Arterial-phase contrast-enhanced abdominal CT, axial slice 131 of 470 (counted from the lowest slice); tube voltage 120 kVp, convolution kernel I26f; slices 1.00 mm thick, 0.938 mm per pixel.
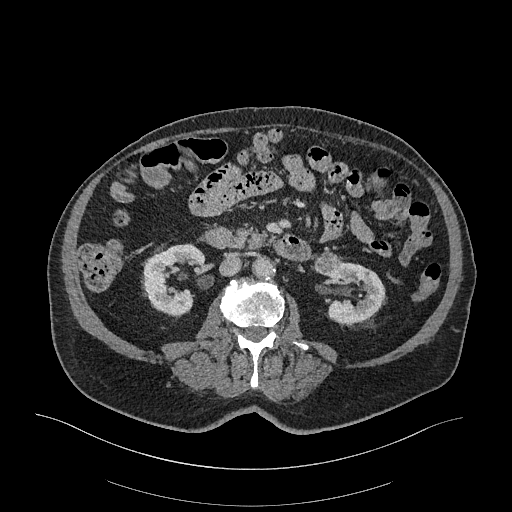
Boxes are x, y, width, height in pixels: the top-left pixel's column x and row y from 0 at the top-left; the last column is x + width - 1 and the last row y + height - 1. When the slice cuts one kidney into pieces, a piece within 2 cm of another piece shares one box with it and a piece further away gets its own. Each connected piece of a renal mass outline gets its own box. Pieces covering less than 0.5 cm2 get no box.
Three boxes on this slice (two kidney boxes and one renal mass box), listed by box centre from the image's left to its right. (1) Right kidney at x 143, y 243, width 63, height 75 (outlined area 3,076 px, about 27.0 cm2). (2) Left renal mass, box x 311, y 252, width 30, height 25 (outlined area 553 px, about 4.9 cm2). (3) Left kidney, box x 316, y 259, width 71, height 66 (outlined area 2,815 px, about 24.7 cm2).